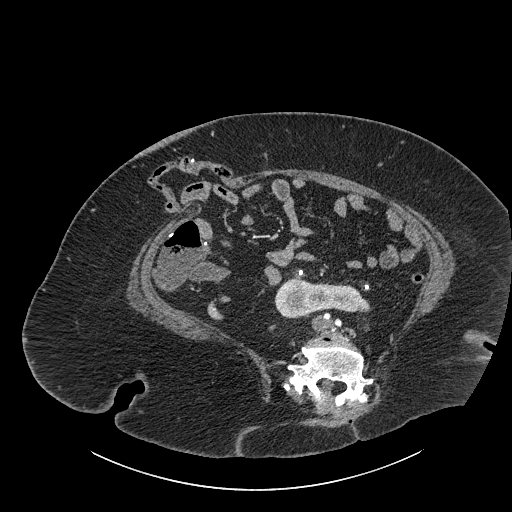
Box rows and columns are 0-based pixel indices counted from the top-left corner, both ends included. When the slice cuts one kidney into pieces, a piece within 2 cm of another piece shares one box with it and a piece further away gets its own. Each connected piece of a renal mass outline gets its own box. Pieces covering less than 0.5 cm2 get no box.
Contrast-enhanced abdominal CT, axial slice 415 of 834 (counted from the lowest slice); 1.00 mm thick, 0.977 mm per pixel. Kidney crossing the body midline at rows 277–318, columns 274–371 (outlined area 2,711 px, about 25.9 cm2). No renal mass outline on this slice.
Acquired at 140 kVp and reconstructed with the I30f kernel.